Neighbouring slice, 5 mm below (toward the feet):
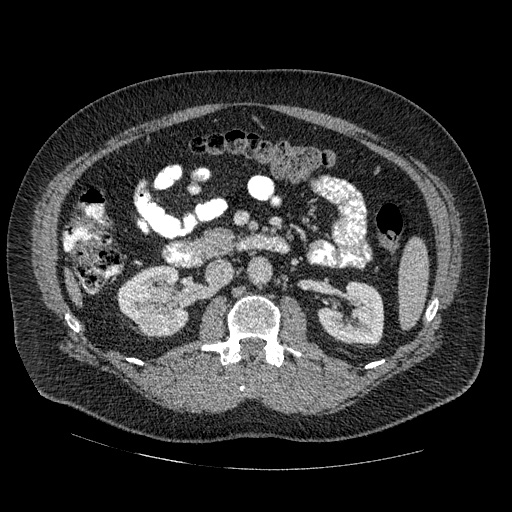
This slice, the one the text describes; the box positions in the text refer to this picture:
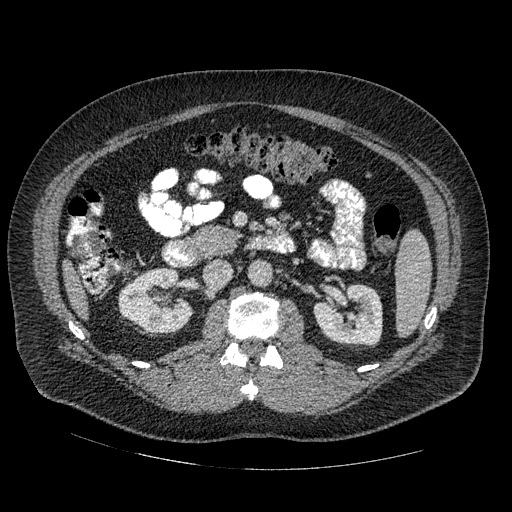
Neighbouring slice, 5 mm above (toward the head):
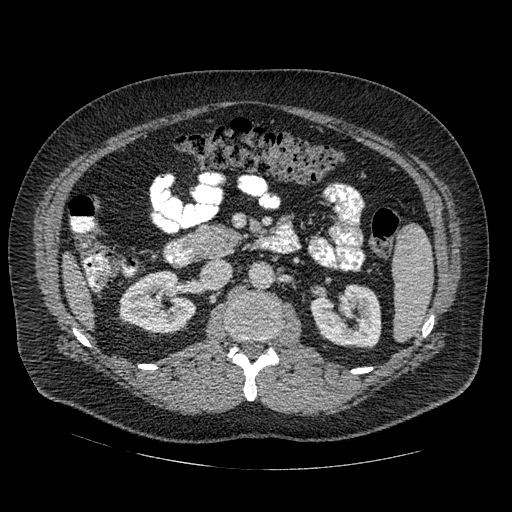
One axial slice (277 of 445, counting up from the lowest) of an arterial-phase abdominal CT acquired with 120 kVp, kernel STANDARD; each pixel is 0.863 mm and the slice is 1.25 mm thick.
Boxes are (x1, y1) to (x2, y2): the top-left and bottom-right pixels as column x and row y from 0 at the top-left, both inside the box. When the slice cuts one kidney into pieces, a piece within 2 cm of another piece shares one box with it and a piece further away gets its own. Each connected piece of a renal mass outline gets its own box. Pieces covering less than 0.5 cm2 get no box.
Boxed on this slice (two kidney boxes and one renal mass box), listed by box centre from the image's left to its right: (1) Right kidney, box (118, 267) to (193, 334) (outlined area 3,464 px, about 25.8 cm2). (2) Right renal mass from (153, 312) to (168, 324) (outlined area 157 px, about 1.2 cm2). (3) Left kidney from (313, 283) to (382, 346) (outlined area 3,354 px, about 25.0 cm2). This slice lies near the end of the right renal mass toward the head; the slices 5 mm below and 5 mm above it are shown too, and the boxes mark positions on this slice only.